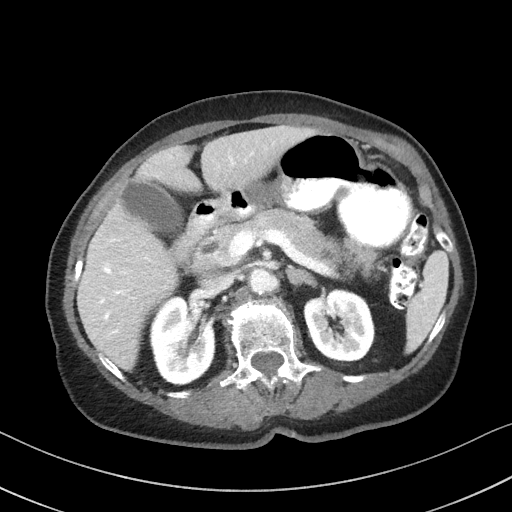
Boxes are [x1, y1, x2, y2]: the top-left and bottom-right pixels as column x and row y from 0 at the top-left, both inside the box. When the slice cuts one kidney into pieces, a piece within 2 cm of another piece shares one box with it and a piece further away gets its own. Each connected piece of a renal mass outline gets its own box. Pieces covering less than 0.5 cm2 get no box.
Slice 63/92 of a contrast-enhanced abdominal CT, counting up from the lowest; pixel size 0.684 mm, slice thickness 3.00 mm. Two kidney boxes on this slice; by box centre, from the image's left to its right: (1) Box [149, 296, 215, 385]: right kidney (outlined area 4,549 px, about 21.3 cm2). (2) Left kidney, box [303, 287, 375, 364] (outlined area 4,176 px, about 19.5 cm2). This slice carries no renal mass outline.
Acquired at 100 kVp and reconstructed with the I41f kernel.